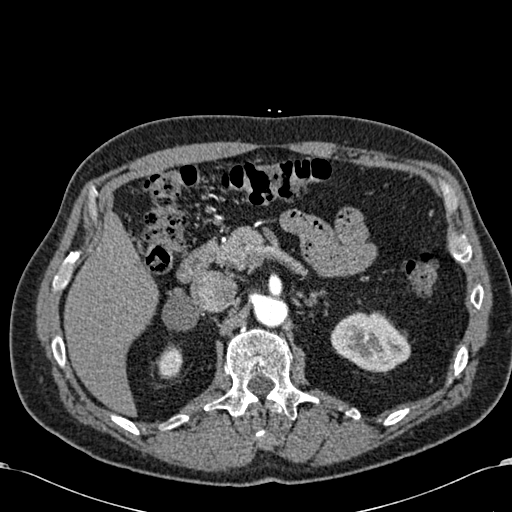
One axial slice (416 of 581, counting up from the lowest) of an arterial-phase abdominal CT acquired with 120 kVp, kernel B30f; each pixel is 0.713 mm and the slice is 1.00 mm thick.
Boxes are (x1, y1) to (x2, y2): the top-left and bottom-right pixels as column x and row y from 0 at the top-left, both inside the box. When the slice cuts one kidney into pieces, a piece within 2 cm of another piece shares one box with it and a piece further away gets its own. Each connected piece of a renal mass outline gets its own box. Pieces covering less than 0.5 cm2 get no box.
Two boxes on this slice (two kidney boxes), listed by box centre from the image's left to its right. (1) Right kidney, box (155, 347) to (182, 378) (outlined area 650 px, about 3.3 cm2). (2) Left kidney, box (330, 311) to (410, 373) (outlined area 3,558 px, about 18.1 cm2). No renal mass is outlined on this slice.